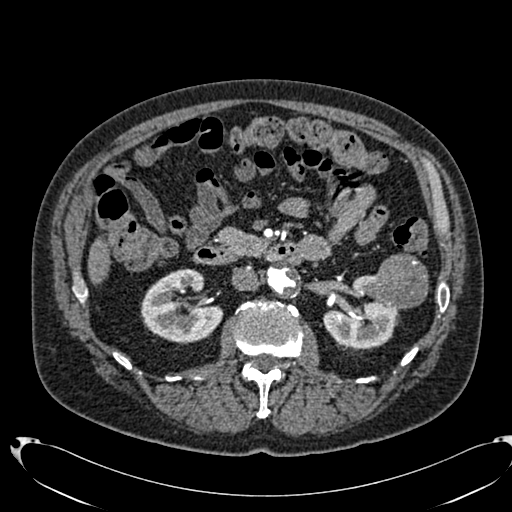
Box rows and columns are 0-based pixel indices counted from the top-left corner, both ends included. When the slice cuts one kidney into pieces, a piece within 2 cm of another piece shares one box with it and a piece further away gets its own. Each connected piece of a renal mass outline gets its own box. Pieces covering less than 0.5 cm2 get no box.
Arterial-phase contrast-enhanced abdominal CT, axial slice 411 of 553 (counted from the lowest slice); 1.00 mm thick, 0.773 mm per pixel. Three boxes on this slice (two kidney boxes and one renal mass box), listed by box centre from the image's left to its right. (1) Right kidney at rows 269–343, columns 141–223 (outlined area 4,270 px, about 25.5 cm2). (2) Box rows 275–348, columns 323–400: left kidney (outlined area 3,508 px, about 21.0 cm2). (3) Box rows 253–309, columns 374–428: left renal mass (outlined area 2,408 px, about 14.4 cm2).
Acquired at 120 kVp and reconstructed with the B20f kernel.